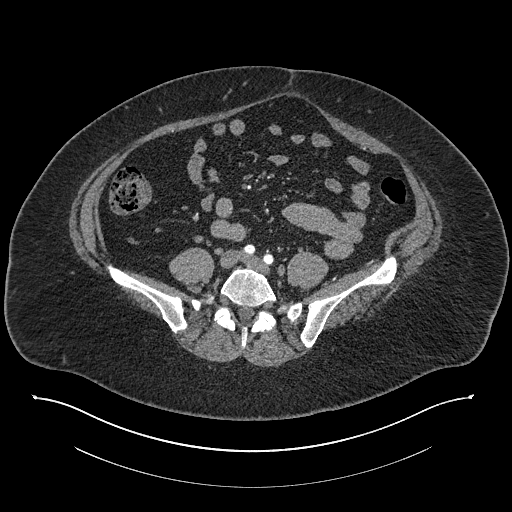
Arterial-phase contrast-enhanced abdominal CT, axial slice 246 of 673 (counted from the lowest slice); 1.00 mm thick, 0.957 mm per pixel. No kidney and no renal mass is outlined on this slice; the outlines in this scan cover only the kidneys and the renal masses, so nothing is said about any other organ.
Tube voltage 140 kVp; convolution kernel I30f.